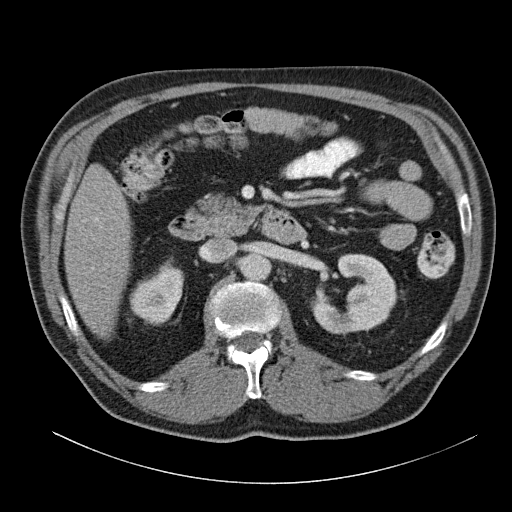
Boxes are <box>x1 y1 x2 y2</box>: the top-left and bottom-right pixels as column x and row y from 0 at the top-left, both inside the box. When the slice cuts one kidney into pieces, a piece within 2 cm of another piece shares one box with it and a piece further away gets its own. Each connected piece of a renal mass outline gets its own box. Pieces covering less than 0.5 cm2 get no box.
This is axial slice 75 of 140 (slice 1 is the lowest) of an arterial-phase abdominal CT with contrast; each pixel is 0.754 mm and the slice is 5.00 mm thick. Two boxes on this slice (two kidney boxes), listed by box centre from the image's left to its right. (1) Right kidney: <box>129 265 184 324</box> (outlined area 2,280 px, about 13.0 cm2). (2) Left kidney: <box>310 253 397 335</box> (outlined area 4,562 px, about 25.9 cm2). No renal mass is outlined on this slice.
Scan settings: 120 kVp, B31f reconstruction kernel.